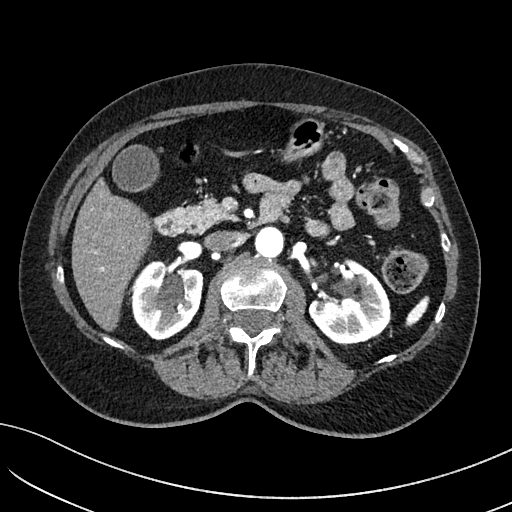
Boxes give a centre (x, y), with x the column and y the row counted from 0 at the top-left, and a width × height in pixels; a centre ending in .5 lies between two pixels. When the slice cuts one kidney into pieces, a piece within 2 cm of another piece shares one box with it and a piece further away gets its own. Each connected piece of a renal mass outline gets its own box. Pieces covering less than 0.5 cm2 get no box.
Arterial-phase contrast-enhanced abdominal CT, axial slice 74 of 234 (counted from the lowest slice); 2.00 mm thick, 0.699 mm per pixel. Boxed on this slice (two kidney boxes), listed by box centre from the image's left to its right: (1) Right kidney in a box with centre (166.5, 300), 74 × 81 pixels (outlined area 4,501 px, about 22.0 cm2). (2) Left kidney in a box with centre (349, 301), 83 × 87 pixels (outlined area 4,756 px, about 23.3 cm2). This slice carries no renal mass outline.
Tube voltage 100 kVp; convolution kernel I40f.